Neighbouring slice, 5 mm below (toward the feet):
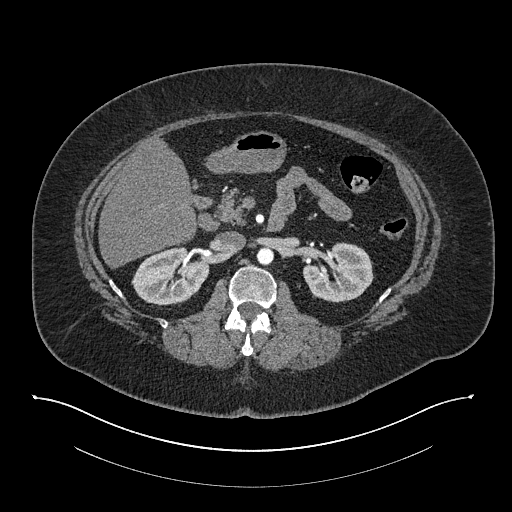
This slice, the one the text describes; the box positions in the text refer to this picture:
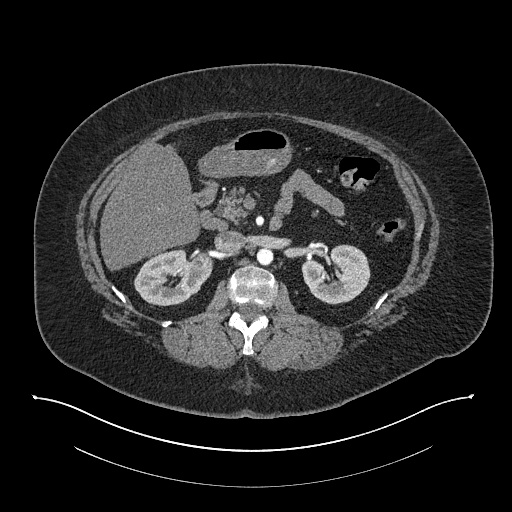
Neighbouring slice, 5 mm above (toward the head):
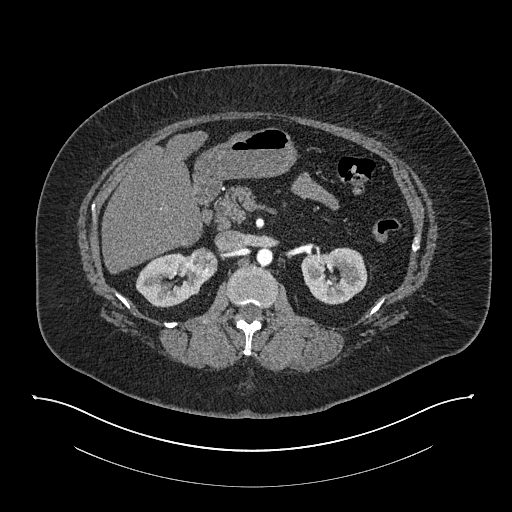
Axial slice 492 of 673 of a contrast-enhanced abdominal CT in the arterial phase (slice 1 is the lowest), 140 kVp, kernel I30f; 1.00 mm slice thickness and 0.957 mm pixels.
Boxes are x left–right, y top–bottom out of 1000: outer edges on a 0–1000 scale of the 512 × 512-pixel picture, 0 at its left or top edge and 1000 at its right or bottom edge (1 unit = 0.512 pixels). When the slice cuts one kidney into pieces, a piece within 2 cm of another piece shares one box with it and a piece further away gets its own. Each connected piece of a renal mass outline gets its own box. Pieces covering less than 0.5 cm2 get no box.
Three boxes on this slice (two kidney boxes and one renal mass box), listed by box centre from the image's left to its right. (1) Right kidney at x 262–418, y 482–600 out of 1000 (outlined area 3,253 px, about 29.8 cm2). (2) Right renal mass, box x 385–406, y 500–518 out of 1000 (outlined area 87 px, about 0.8 cm2). (3) Box x 588–725, y 477–596 out of 1000: left kidney (outlined area 3,036 px, about 27.8 cm2). This slice is near the end of the right renal mass toward the feet, so the slices 5 mm below and 5 mm above it are shown as well; the boxes refer to this slice only.